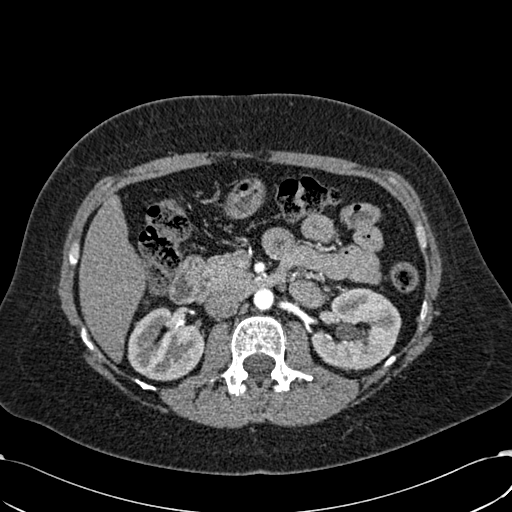
One axial slice (365 of 532, counting up from the lowest) of an arterial-phase abdominal CT acquired with 120 kVp, kernel B30f; each pixel is 0.713 mm and the slice is 1.00 mm thick.
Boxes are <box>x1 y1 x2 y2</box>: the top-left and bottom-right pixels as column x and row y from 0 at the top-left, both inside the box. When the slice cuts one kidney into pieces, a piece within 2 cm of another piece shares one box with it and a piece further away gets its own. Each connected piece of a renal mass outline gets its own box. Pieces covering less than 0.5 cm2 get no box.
Two boxes on this slice (two kidney boxes), listed by box centre from the image's left to its right. (1) At <box>127 307 204 381</box>: right kidney (outlined area 4,217 px, about 21.4 cm2). (2) At <box>311 288 401 371</box>: left kidney (outlined area 5,311 px, about 27.0 cm2). This slice carries no renal mass outline.